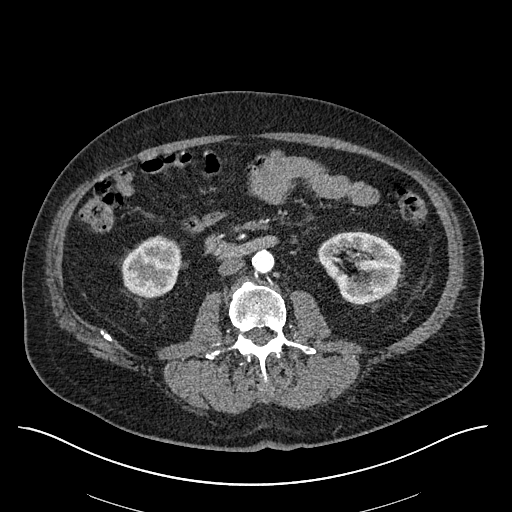
Arterial-phase contrast-enhanced abdominal CT, axial slice 276 of 670 (counted from the lowest slice); tube voltage 120 kVp, convolution kernel I30f; slices 1.00 mm thick, 0.861 mm per pixel.
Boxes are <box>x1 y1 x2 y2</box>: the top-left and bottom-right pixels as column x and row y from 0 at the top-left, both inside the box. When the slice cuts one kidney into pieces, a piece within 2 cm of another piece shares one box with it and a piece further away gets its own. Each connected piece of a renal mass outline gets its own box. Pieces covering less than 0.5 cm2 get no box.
Boxed on this slice (two kidney boxes), listed by box centre from the image's left to its right: (1) Right kidney at <box>121 235 180 298</box> (outlined area 2,913 px, about 21.6 cm2). (2) Left kidney at <box>318 231 401 303</box> (outlined area 4,306 px, about 31.9 cm2). No renal mass outline on this slice.